Contrast-enhanced abdominal CT, axial slice 502 of 834 (counted from the lowest slice); tube voltage 140 kVp, convolution kernel I30f; slices 1.00 mm thick, 0.977 mm per pixel.
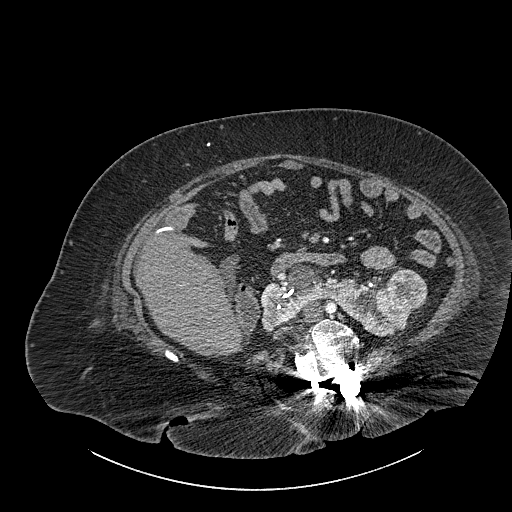
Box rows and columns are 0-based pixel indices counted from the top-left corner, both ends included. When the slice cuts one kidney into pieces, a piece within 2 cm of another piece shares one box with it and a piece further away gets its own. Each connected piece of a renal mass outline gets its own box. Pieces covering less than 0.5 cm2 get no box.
Boxed on this slice (one kidney box and one renal mass box), listed by box centre from the image's left to its right: (1) Kidney crossing the body midline at rows 264–336, columns 260–413 (outlined area 5,533 px, about 52.8 cm2). (2) Renal mass, box rows 269–311, columns 386–427 (outlined area 1,466 px, about 14.0 cm2).